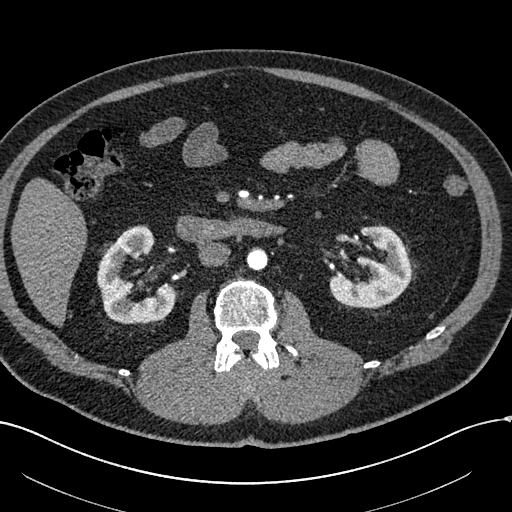
One axial slice (317 of 602, counting up from the lowest) of an arterial-phase abdominal CT acquired with 120 kVp, kernel I30f; each pixel is 0.799 mm and the slice is 1.00 mm thick.
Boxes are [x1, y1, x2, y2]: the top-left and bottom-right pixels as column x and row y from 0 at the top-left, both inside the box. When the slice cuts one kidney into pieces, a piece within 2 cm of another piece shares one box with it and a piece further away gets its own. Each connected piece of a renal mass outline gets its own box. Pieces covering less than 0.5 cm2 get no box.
Two kidney boxes on this slice; by box centre, from the image's left to its right: (1) Right kidney, box [96, 225, 176, 324] (outlined area 4,662 px, about 29.7 cm2). (2) Box [329, 225, 411, 308]: left kidney (outlined area 4,342 px, about 27.7 cm2). This slice carries no renal mass outline.